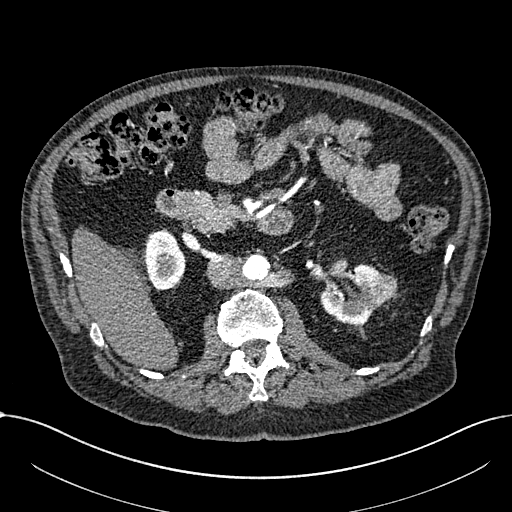
Arterial-phase contrast-enhanced abdominal CT, axial slice 408 of 1059 (counted from the lowest slice); tube voltage 100 kVp, convolution kernel I30f; slices 1.00 mm thick, 0.811 mm per pixel.
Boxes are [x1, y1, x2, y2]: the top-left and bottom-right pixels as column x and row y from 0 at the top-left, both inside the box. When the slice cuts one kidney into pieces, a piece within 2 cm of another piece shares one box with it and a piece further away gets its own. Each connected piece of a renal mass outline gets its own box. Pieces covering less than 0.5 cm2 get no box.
Boxed on this slice (two kidney boxes and one renal mass box), listed by box centre from the image's left to its right: (1) Right part of the midline-crossing kidney at [145, 229, 186, 290] (outlined area 1,923 px, about 12.6 cm2). (2) Left part of the midline-crossing kidney at [320, 263, 383, 325] (outlined area 2,436 px, about 16.0 cm2). (3) Renal mass at [371, 274, 397, 305] (outlined area 591 px, about 3.9 cm2).